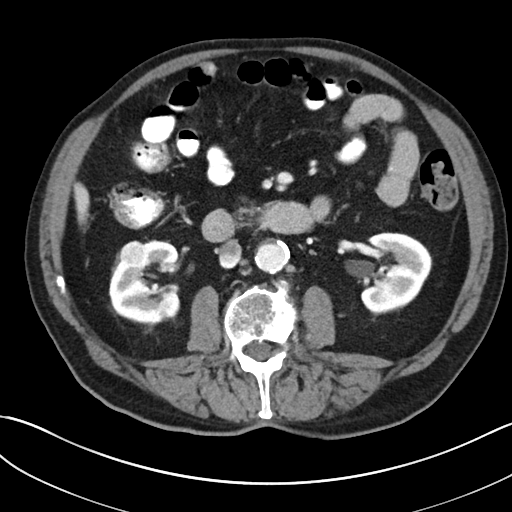
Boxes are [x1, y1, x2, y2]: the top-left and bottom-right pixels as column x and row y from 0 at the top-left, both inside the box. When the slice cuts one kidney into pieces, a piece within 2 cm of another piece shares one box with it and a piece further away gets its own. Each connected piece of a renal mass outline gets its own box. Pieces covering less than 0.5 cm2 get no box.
Contrast-enhanced abdominal CT, axial slice 121 of 269 (counted from the lowest slice); 5.00 mm thick, 0.732 mm per pixel. Boxed on this slice (two kidney boxes and one renal mass box), listed by box centre from the image's left to its right: (1) Right renal mass, box [120, 240, 147, 266] (outlined area 590 px, about 3.2 cm2). (2) Box [108, 240, 180, 321]: right kidney (outlined area 4,147 px, about 22.2 cm2). (3) Left kidney, box [360, 232, 432, 316] (outlined area 4,508 px, about 24.2 cm2).
Tube voltage 100 kVp; convolution kernel I30f.